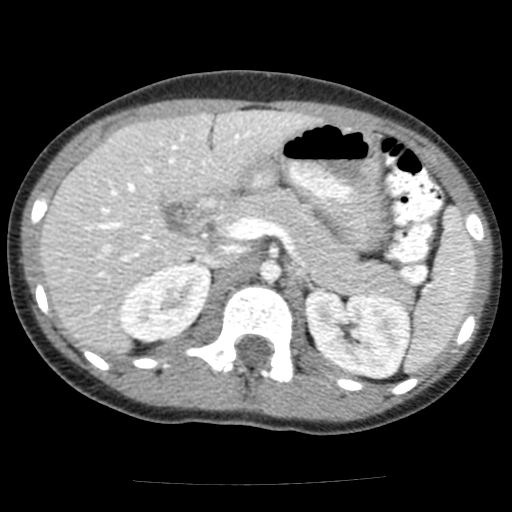
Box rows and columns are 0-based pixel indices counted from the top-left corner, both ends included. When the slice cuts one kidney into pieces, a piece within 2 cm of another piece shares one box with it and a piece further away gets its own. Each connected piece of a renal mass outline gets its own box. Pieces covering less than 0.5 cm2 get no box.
This is axial slice 90 of 117 (slice 1 is the lowest) of an arterial-phase abdominal CT with contrast; each pixel is 0.518 mm and the slice is 3.00 mm thick. Two boxes on this slice (two kidney boxes), listed by box centre from the image's left to its right. (1) Right kidney at rows 260–343, columns 119–212 (outlined area 5,412 px, about 14.5 cm2). (2) Box rows 290–379, columns 305–410: left kidney (outlined area 7,453 px, about 20.0 cm2). No renal mass outline on this slice.
Scan settings: 120 kVp, FC12 reconstruction kernel.